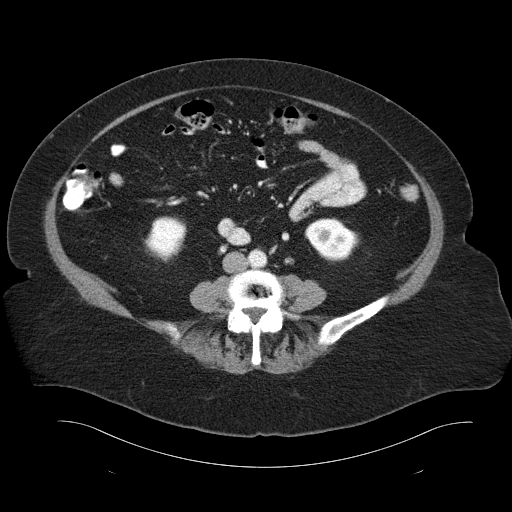
Axial slice 45 of 93 of a contrast-enhanced abdominal CT (slice 1 is the lowest), 120 kVp, kernel B30f; 5.00 mm slice thickness and 0.938 mm pixels.
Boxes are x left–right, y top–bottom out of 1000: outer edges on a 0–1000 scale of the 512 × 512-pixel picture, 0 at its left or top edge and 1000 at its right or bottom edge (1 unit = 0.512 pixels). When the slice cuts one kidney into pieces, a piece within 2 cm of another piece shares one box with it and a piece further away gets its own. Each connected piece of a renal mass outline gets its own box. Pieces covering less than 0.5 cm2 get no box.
Two kidney boxes on this slice; by box centre, from the image's left to its right: (1) Right kidney at x 281–365, y 422–514 out of 1000 (outlined area 1,460 px, about 12.8 cm2). (2) Box x 594–703, y 424–514 out of 1000: left kidney (outlined area 1,740 px, about 15.3 cm2). No renal mass is outlined on this slice.